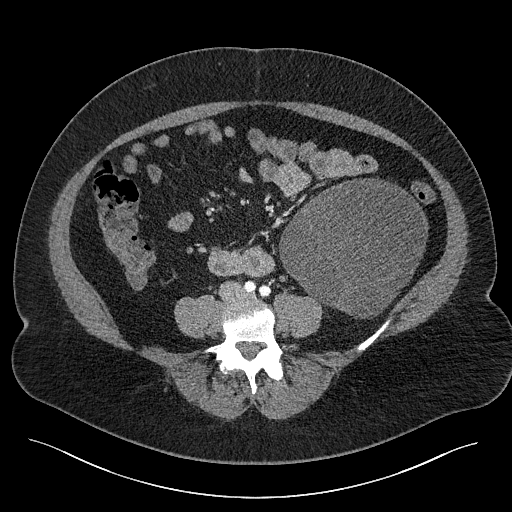
Contrast-enhanced abdominal CT, axial slice 64 of 301 (counted from the lowest slice); tube voltage 120 kVp, convolution kernel I40f; slices 2.00 mm thick, 0.859 mm per pixel.
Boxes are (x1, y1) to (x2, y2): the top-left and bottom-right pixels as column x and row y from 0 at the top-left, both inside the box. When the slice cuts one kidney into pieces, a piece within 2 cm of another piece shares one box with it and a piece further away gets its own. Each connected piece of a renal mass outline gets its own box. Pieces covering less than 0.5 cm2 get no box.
Left renal mass, box (279, 178) to (428, 318) (outlined area 15,082 px, about 111.4 cm2); this slice has no kidney outline, though on another slice the same outlined renal mass lies within 1 cm of the kidney.